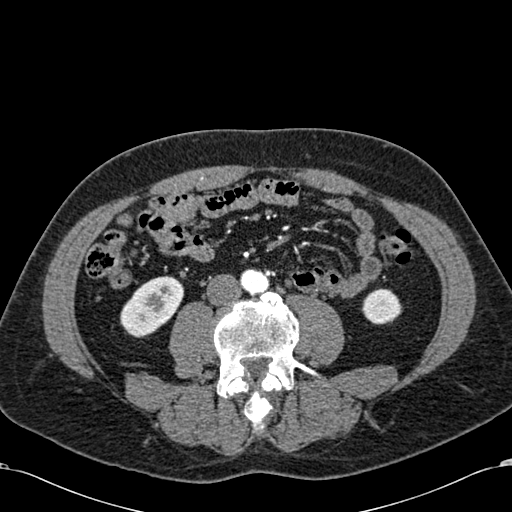
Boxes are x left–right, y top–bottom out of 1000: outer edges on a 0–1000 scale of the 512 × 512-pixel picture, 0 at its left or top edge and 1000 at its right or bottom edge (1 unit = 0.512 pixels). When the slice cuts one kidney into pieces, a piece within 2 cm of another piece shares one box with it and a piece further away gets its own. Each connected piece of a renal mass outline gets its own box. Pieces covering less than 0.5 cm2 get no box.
Arterial-phase contrast-enhanced abdominal CT, axial slice 220 of 581 (counted from the lowest slice); 1.00 mm thick, 0.713 mm per pixel. Two kidney boxes on this slice; by box centre, from the image's left to its right: (1) Right kidney, box x 234–359, y 537–660 out of 1000 (outlined area 2,671 px, about 13.6 cm2). (2) Left kidney at x 705–783, y 563–635 out of 1000 (outlined area 1,122 px, about 5.7 cm2). No renal mass outline on this slice.
Acquired at 120 kVp and reconstructed with the B30f kernel.